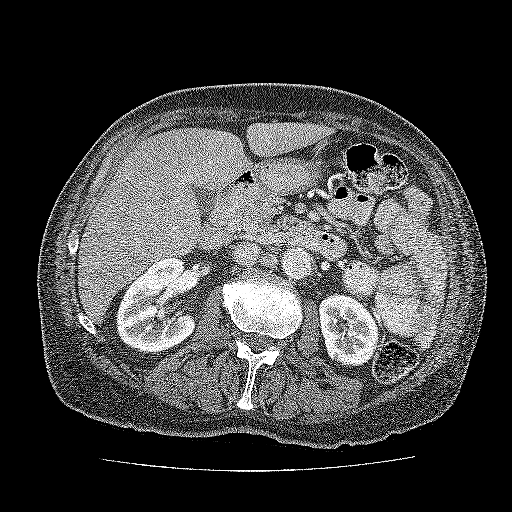
Abdominal CT with intravenous contrast, axial plane, 120 kVp, kernel FC52. Slice 94/137 from the bottom of the scan; thickness 3.00 mm; pixel size 0.741 mm.
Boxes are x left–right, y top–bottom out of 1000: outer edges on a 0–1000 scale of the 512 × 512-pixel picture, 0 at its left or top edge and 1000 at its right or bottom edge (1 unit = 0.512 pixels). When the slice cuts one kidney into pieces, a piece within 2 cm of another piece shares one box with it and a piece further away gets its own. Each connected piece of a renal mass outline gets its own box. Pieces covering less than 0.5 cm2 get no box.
Two kidney boxes on this slice; by box centre, from the image's left to its right: (1) Kidney at x 227–387, y 502–691 out of 1000 (outlined area 5,644 px, about 31.0 cm2). (2) Box x 621–742, y 572–717 out of 1000: kidney (outlined area 3,466 px, about 19.0 cm2). This slice carries no renal mass outline.